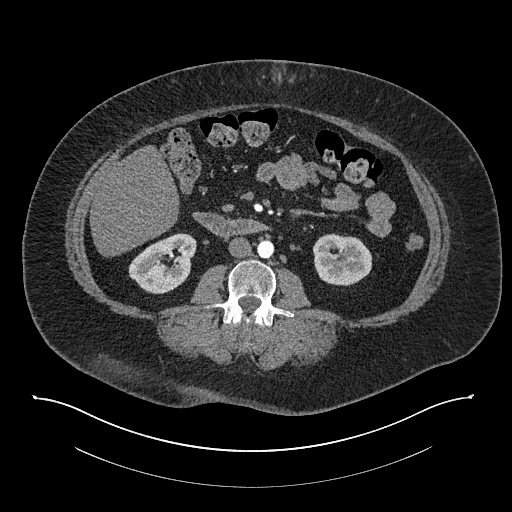
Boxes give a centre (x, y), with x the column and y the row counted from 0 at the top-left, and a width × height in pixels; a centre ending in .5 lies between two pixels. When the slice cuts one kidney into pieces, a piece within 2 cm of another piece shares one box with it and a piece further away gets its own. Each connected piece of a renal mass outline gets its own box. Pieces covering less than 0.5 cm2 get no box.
Arterial-phase contrast-enhanced abdominal CT, axial slice 402 of 673 (counted from the lowest slice); 1.00 mm thick, 0.957 mm per pixel. Two boxes on this slice (two kidney boxes), listed by box centre from the image's left to its right. (1) Box centre (162, 263), 69 × 61 pixels: right kidney (outlined area 2,846 px, about 26.1 cm2). (2) Left kidney, box centre (342.5, 259), 60 × 53 pixels (outlined area 2,500 px, about 22.9 cm2). No renal mass outline on this slice.
Acquired at 140 kVp and reconstructed with the I30f kernel.